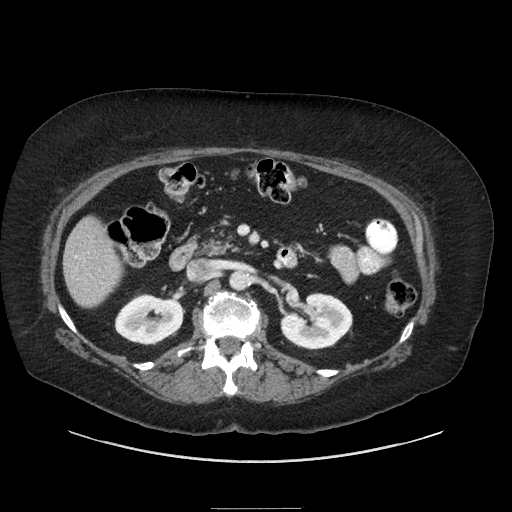
Abdominal CT with intravenous contrast, axial plane, 120 kVp, kernel STANDARD. Slice 128/186 from the bottom of the scan; thickness 2.50 mm; pixel size 0.850 mm.
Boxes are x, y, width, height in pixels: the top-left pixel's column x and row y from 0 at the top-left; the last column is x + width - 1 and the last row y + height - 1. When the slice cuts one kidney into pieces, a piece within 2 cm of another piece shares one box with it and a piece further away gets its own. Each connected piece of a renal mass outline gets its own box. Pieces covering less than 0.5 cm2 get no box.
Two kidney boxes on this slice; by box centre, from the image's left to its right: (1) Right kidney, box x 114, y 293, width 70, height 53 (outlined area 2,724 px, about 19.7 cm2). (2) Left kidney at x 280, y 292, width 73, height 58 (outlined area 3,106 px, about 22.4 cm2). This slice carries no renal mass outline.